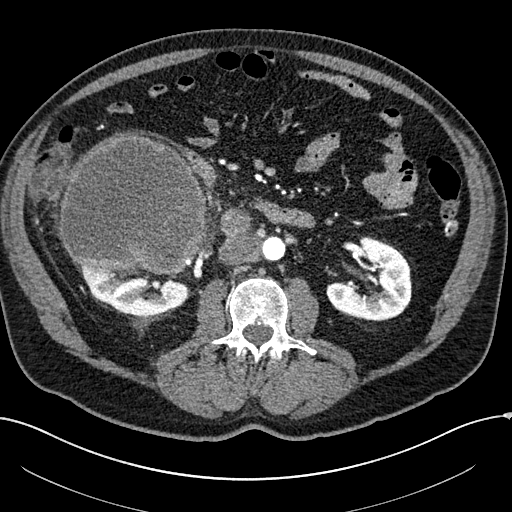
One axial slice (100 of 304, counting up from the lowest) of an arterial-phase abdominal CT acquired with 100 kVp, kernel I30f; each pixel is 0.809 mm and the slice is 2.00 mm thick.
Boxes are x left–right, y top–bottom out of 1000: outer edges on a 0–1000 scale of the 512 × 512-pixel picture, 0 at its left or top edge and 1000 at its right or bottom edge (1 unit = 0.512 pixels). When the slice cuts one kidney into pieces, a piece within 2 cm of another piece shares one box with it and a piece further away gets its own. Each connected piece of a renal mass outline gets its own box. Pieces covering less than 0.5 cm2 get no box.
Two kidney boxes and one renal mass box on this slice; by box centre, from the image's left to its right: (1) Right renal mass at x 113–404, y 264–539 out of 1000 (outlined area 16,519 px, about 108.0 cm2). (2) Right kidney at x 152–371, y 516–619 out of 1000 (outlined area 3,702 px, about 24.2 cm2). (3) Box x 637–805, y 461–629 out of 1000: left kidney (outlined area 4,892 px, about 32.0 cm2).